One axial slice (176 of 274, counting up from the lowest) of a contrast-enhanced abdominal CT acquired with 120 kVp, kernel B31f; each pixel is 0.977 mm and the slice is 2.00 mm thick.
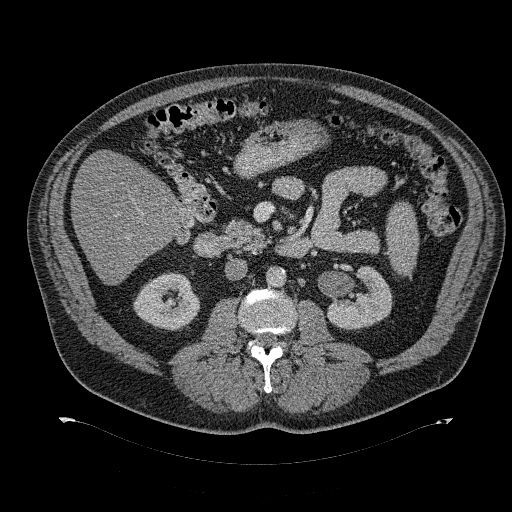
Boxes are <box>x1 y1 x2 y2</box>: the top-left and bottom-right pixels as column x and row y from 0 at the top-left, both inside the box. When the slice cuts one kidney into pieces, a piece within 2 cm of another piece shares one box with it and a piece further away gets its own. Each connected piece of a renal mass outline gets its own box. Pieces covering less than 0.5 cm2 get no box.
Boxed on this slice (two kidney boxes), listed by box centre from the image's left to its right: (1) Right kidney at <box>133 272 200 330</box> (outlined area 2,882 px, about 27.5 cm2). (2) Left kidney: <box>327 266 392 330</box> (outlined area 2,779 px, about 26.5 cm2). No renal mass is outlined on this slice.